One axial slice (127 of 262, counting up from the lowest) of an arterial-phase abdominal CT acquired with 120 kVp, kernel STANDARD; each pixel is 0.703 mm and the slice is 2.50 mm thick.
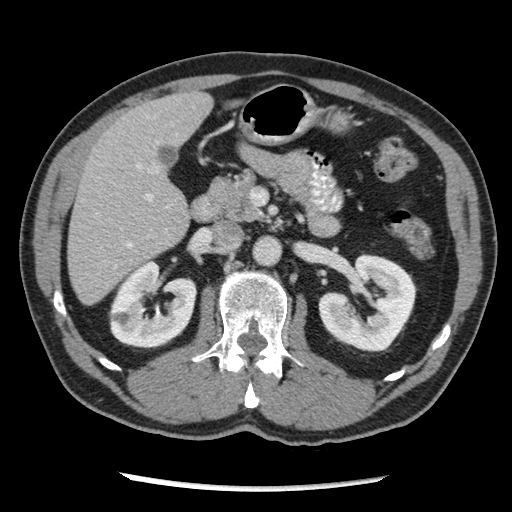
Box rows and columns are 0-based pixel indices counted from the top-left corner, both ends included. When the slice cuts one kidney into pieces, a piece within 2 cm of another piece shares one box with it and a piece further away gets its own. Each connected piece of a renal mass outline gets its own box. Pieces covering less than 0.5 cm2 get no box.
Boxed on this slice (two kidney boxes), listed by box centre from the image's left to its right: (1) Box rows 260–348, columns 108–196: right kidney (outlined area 5,443 px, about 26.9 cm2). (2) Left kidney at rows 253–351, columns 318–417 (outlined area 6,456 px, about 31.9 cm2). No renal mass outline on this slice.